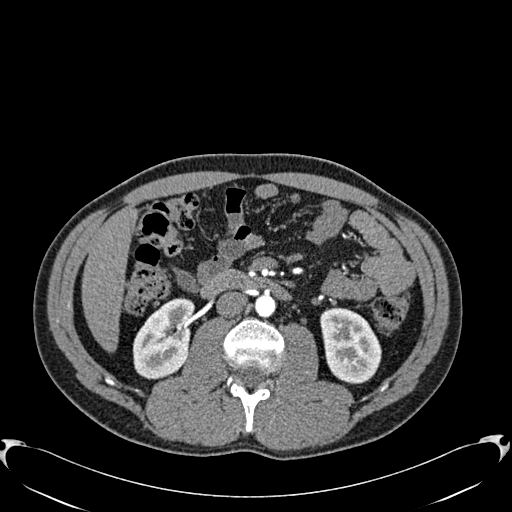
Axial slice 316 of 512 of a contrast-enhanced abdominal CT in the arterial phase (slice 1 is the lowest), 120 kVp, kernel B30f; 1.00 mm slice thickness and 0.771 mm pixels.
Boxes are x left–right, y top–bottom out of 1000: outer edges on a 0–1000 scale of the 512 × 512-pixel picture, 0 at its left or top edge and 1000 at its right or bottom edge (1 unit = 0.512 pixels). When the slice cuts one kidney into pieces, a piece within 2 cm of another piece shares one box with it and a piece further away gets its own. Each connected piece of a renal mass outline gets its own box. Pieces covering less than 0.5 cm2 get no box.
Boxed on this slice (two kidney boxes), listed by box centre from the image's left to its right: (1) Right kidney, box x 258–381, y 582–742 out of 1000 (outlined area 3,665 px, about 21.8 cm2). (2) Box x 625–746, y 598–750 out of 1000: left kidney (outlined area 3,603 px, about 21.4 cm2). No renal mass outline on this slice.